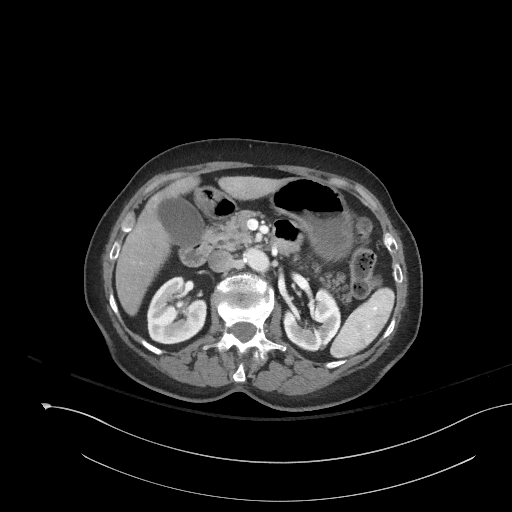
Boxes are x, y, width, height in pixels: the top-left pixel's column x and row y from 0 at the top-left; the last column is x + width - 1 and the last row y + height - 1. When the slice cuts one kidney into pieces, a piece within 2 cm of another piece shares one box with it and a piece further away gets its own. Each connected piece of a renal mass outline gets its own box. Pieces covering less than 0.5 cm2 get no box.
This is axial slice 103 of 153 (slice 1 is the lowest) of an abdominal CT with contrast; each pixel is 0.893 mm and the slice is 3.00 mm thick. Boxed on this slice (two kidney boxes), listed by box centre from the image's left to its right: (1) Right kidney at x 146, y 276, width 61, height 69 (outlined area 3,094 px, about 24.6 cm2). (2) Left kidney, box x 283, y 289, width 57, height 61 (outlined area 2,301 px, about 18.3 cm2). This slice carries no renal mass outline.
Acquired at 120 kVp and reconstructed with the I41f kernel.